Axial slice 317 of 670 of a contrast-enhanced abdominal CT in the arterial phase (slice 1 is the lowest), 120 kVp, kernel I30f; 1.00 mm slice thickness and 0.861 mm pixels.
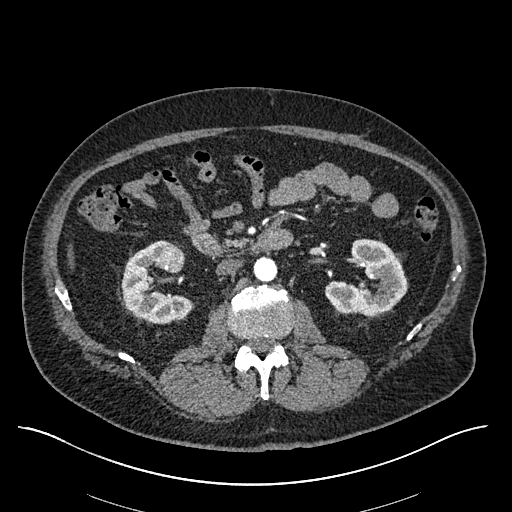
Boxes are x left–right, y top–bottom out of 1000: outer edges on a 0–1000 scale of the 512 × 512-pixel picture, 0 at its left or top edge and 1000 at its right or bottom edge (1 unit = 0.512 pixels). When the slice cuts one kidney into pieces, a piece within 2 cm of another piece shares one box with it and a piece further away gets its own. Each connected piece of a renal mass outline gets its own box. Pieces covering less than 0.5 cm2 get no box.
Boxed on this slice (two kidney boxes and one renal mass box), listed by box centre from the image's left to its right: (1) Right kidney, box x 236–377, y 469–633 out of 1000 (outlined area 3,470 px, about 25.7 cm2). (2) Right renal mass, box x 301–363, y 477–533 out of 1000 (outlined area 678 px, about 5.0 cm2). (3) Left kidney, box x 633–797, y 465–617 out of 1000 (outlined area 4,081 px, about 30.3 cm2).